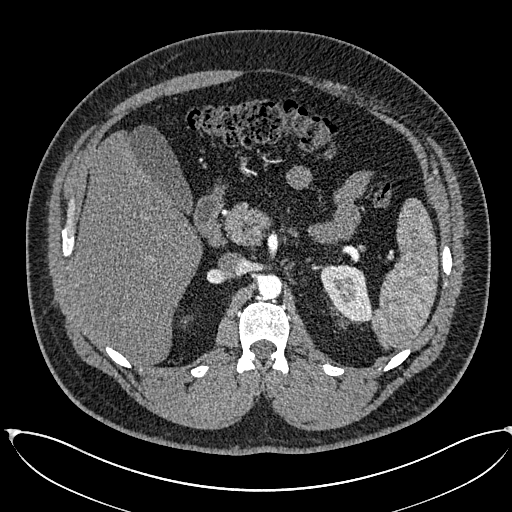
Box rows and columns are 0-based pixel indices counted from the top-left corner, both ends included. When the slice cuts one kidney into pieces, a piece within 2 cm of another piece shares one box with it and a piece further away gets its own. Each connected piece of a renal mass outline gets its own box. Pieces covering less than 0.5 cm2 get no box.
Slice 410/673 of a contrast-enhanced abdominal CT in the arterial phase, counting up from the lowest; pixel size 0.855 mm, slice thickness 1.00 mm. Box rows 265–320, columns 320–372: left kidney (outlined area 2,135 px, about 15.6 cm2). No renal mass outline on this slice.
Acquired at 120 kVp and reconstructed with the I30f kernel.